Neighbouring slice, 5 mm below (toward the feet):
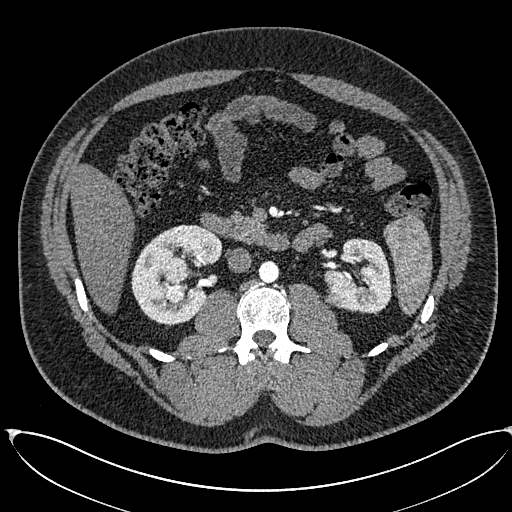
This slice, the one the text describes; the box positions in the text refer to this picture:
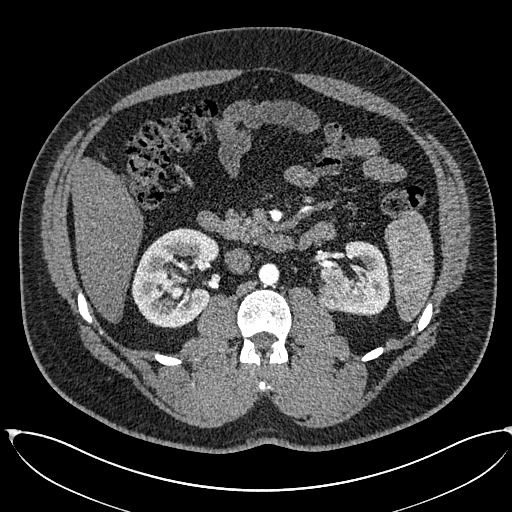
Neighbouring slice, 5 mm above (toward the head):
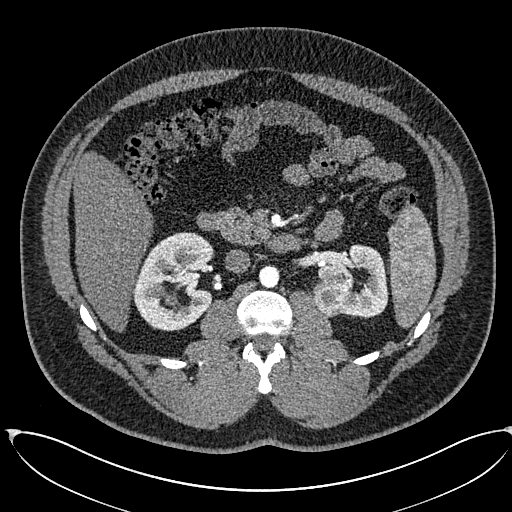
Axial slice 347 of 673 of a contrast-enhanced abdominal CT in the arterial phase (slice 1 is the lowest), 120 kVp, kernel I30f; 1.00 mm slice thickness and 0.855 mm pixels.
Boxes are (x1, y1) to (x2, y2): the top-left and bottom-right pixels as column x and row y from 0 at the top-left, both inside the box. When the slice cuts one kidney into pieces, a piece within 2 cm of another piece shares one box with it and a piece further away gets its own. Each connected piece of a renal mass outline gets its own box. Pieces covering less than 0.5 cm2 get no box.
Two kidney boxes and three renal mass boxes on this slice; by box centre, from the image's left to its right: (1) Right kidney, box (131, 228) to (219, 327) (outlined area 6,047 px, about 44.3 cm2). (2) Box (171, 271) to (182, 283): right renal mass (outlined area 115 px, about 0.8 cm2). (3) Right renal mass from (170, 288) to (183, 299) (outlined area 132 px, about 1.0 cm2). (4) Left renal mass, box (317, 282) to (350, 311) (outlined area 810 px, about 5.9 cm2). (5) Box (320, 241) to (390, 316): left kidney (outlined area 3,366 px, about 24.6 cm2). This slice lies near the end of the right renal mass toward the head; the slices 5 mm below and 5 mm above it are shown too, and the boxes mark positions on this slice only.